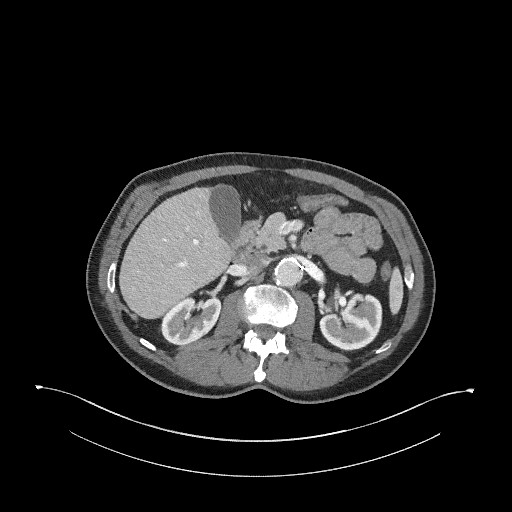
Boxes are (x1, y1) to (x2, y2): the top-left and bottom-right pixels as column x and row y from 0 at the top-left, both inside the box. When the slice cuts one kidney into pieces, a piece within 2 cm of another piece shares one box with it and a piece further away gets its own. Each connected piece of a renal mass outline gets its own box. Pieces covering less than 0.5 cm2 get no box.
Slice 160/345 of a contrast-enhanced abdominal CT in the arterial phase, counting up from the lowest; pixel size 0.977 mm, slice thickness 2.00 mm. Boxed on this slice (two kidney boxes), listed by box centre from the image's left to its right: (1) Box (159, 296) to (221, 345): right kidney (outlined area 2,173 px, about 20.7 cm2). (2) Left kidney, box (319, 293) to (382, 351) (outlined area 2,751 px, about 26.2 cm2). No renal mass is outlined on this slice.
Tube voltage 120 kVp; convolution kernel I31f.